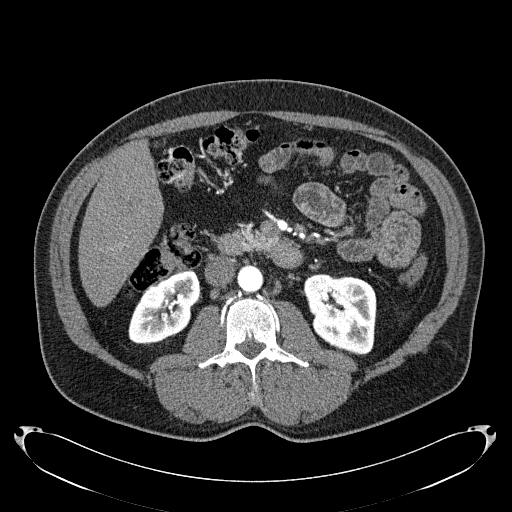
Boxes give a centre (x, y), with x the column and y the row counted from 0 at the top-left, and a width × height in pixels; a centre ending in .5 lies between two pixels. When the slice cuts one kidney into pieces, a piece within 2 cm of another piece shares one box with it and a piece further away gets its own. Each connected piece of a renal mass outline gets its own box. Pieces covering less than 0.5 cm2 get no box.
This is axial slice 105 of 279 (slice 1 is the lowest) of an arterial-phase abdominal CT with contrast; each pixel is 0.824 mm and the slice is 2.00 mm thick. Boxed on this slice (two kidney boxes), listed by box centre from the image's left to its right: (1) Right kidney, box centre (163.5, 305.5), 72 × 76 pixels (outlined area 3,647 px, about 24.8 cm2). (2) Box centre (339, 314.5), 75 × 82 pixels: left kidney (outlined area 4,687 px, about 31.8 cm2). No renal mass is outlined on this slice.
Tube voltage 120 kVp; convolution kernel B31f.